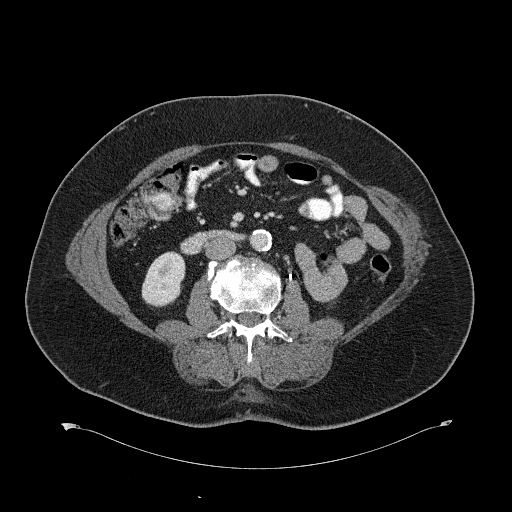
Contrast-enhanced abdominal CT, axial slice 318 of 734 (counted from the lowest slice); tube voltage 120 kVp, convolution kernel B31f; slices 2.00 mm thick, 0.971 mm per pixel.
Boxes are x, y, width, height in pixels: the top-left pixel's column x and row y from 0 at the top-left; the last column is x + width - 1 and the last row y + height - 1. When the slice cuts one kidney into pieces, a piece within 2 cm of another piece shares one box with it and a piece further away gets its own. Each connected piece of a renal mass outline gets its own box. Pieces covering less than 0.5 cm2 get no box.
Right kidney, box x 141, y 251, width 45, height 57 (outlined area 1,862 px, about 17.5 cm2). This slice carries no renal mass outline.